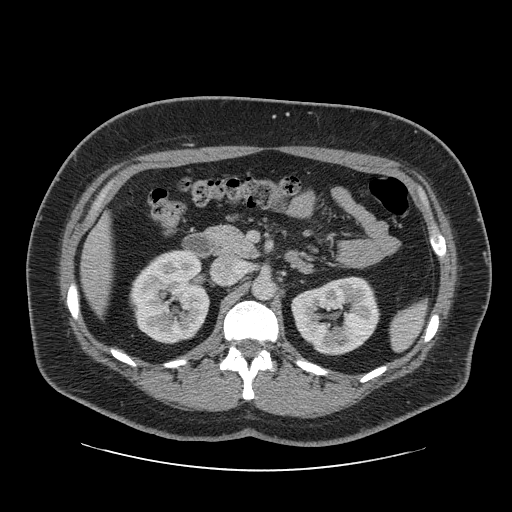
Axial slice 43 of 69 of a contrast-enhanced abdominal CT in the arterial phase (slice 1 is the lowest), 120 kVp, kernel STANDARD; 2.50 mm slice thickness and 0.846 mm pixels.
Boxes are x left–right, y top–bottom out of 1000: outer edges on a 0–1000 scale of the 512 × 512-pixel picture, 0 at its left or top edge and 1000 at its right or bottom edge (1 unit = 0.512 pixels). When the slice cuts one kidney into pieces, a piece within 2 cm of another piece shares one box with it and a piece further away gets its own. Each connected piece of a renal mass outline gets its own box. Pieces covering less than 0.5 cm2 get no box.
Two kidney boxes on this slice; by box centre, from the image's left to its right: (1) Box x 252–412, y 486–672 out of 1000: right kidney (outlined area 5,863 px, about 41.9 cm2). (2) Left kidney, box x 568–744, y 539–695 out of 1000 (outlined area 5,228 px, about 37.4 cm2). No renal mass is outlined on this slice.